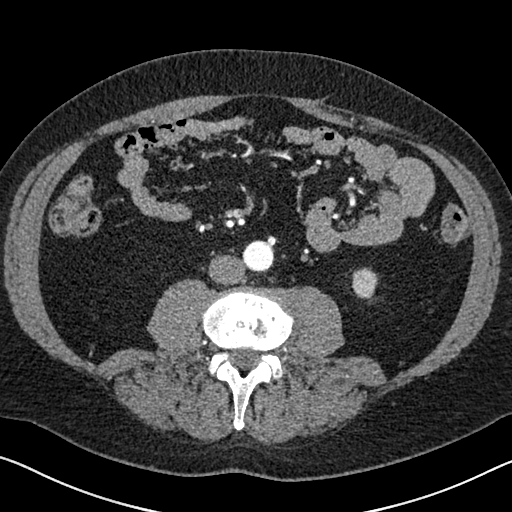
Axial slice 281 of 626 of a contrast-enhanced abdominal CT in the arterial phase (slice 1 is the lowest), 120 kVp, kernel I30f; 1.00 mm slice thickness and 0.703 mm pixels.
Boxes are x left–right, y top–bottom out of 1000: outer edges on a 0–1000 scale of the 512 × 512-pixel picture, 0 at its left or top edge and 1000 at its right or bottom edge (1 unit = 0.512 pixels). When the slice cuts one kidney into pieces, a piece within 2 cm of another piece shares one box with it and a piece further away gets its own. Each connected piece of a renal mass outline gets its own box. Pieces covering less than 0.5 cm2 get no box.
Left kidney, box x 688–740, y 521–592 out of 1000 (outlined area 679 px, about 3.4 cm2). No renal mass outline on this slice.